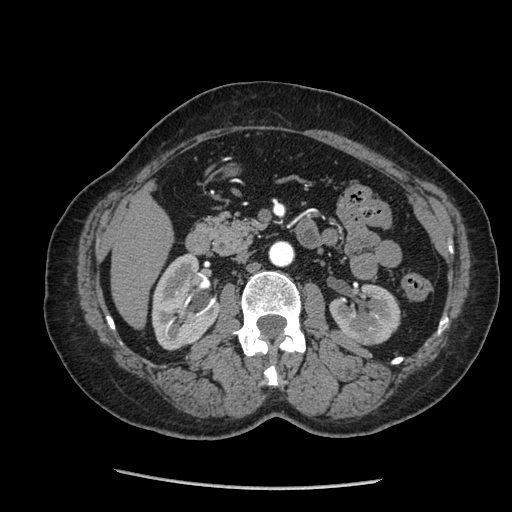
Axial slice 121 of 233 of a contrast-enhanced abdominal CT in the arterial phase (slice 1 is the lowest), 120 kVp, kernel STANDARD; 1.25 mm slice thickness and 0.703 mm pixels.
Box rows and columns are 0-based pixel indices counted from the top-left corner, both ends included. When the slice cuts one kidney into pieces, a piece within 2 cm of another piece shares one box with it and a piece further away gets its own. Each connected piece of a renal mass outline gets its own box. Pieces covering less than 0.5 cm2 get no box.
Boxed on this slice (two kidney boxes and one renal mass box), listed by box centre from the image's left to its right: (1) Right kidney, box rows 254–350, columns 151–220 (outlined area 4,777 px, about 23.6 cm2). (2) Box rows 314–333, columns 349–378: left renal mass (outlined area 484 px, about 2.4 cm2). (3) Box rows 284–345, columns 329–400: left kidney (outlined area 2,772 px, about 13.7 cm2).